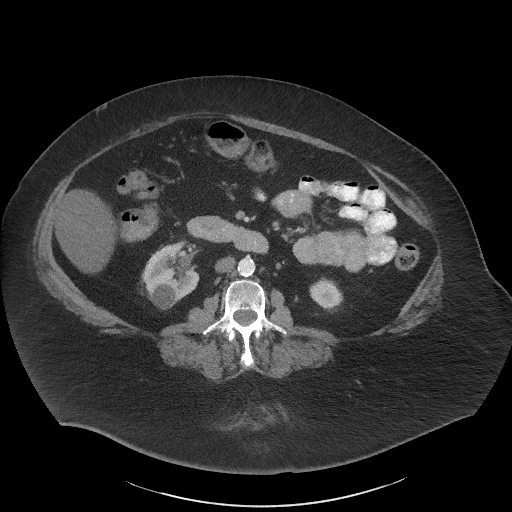
Arterial-phase contrast-enhanced abdominal CT, axial slice 22 of 61 (counted from the lowest slice); tube voltage 140 kVp, convolution kernel I41f; slices 3.00 mm thick, 0.947 mm per pixel.
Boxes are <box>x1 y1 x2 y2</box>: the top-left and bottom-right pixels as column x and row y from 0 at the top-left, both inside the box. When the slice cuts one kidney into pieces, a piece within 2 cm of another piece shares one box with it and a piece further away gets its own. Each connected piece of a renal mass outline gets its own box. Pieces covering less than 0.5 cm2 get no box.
Two kidney boxes on this slice; by box centre, from the image's left to its right: (1) Right kidney at <box>141 240 200 309</box> (outlined area 2,824 px, about 25.3 cm2). (2) At <box>309 277 343 312</box>: left kidney (outlined area 836 px, about 7.5 cm2). No renal mass outline on this slice.